Abdominal CT with intravenous contrast, arterial phase, axial plane, 120 kVp, kernel I30f. Slice 401/738 from the bottom of the scan; thickness 1.00 mm; pixel size 0.789 mm.
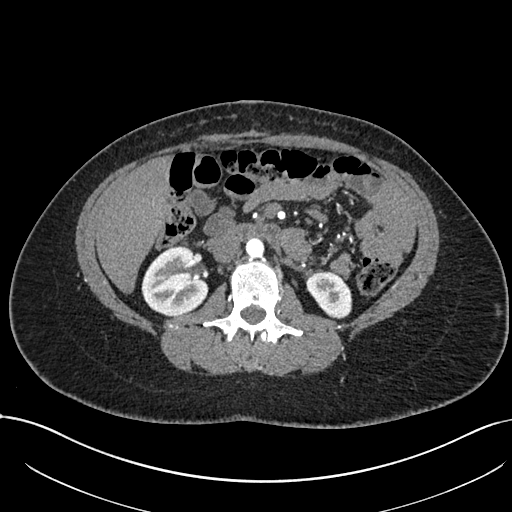
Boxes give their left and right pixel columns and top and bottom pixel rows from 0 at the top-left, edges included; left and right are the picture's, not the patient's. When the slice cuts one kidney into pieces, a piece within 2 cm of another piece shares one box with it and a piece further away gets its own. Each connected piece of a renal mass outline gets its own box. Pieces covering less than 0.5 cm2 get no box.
Boxed on this slice (two kidney boxes), listed by box centre from the image's left to its right: (1) Right kidney, the box with left 141, top 246, right 207, bottom 316 (outlined area 3,525 px, about 21.9 cm2). (2) Box with left 306, top 270, right 352, bottom 318: left kidney (outlined area 1,611 px, about 10.0 cm2). No renal mass is outlined on this slice.